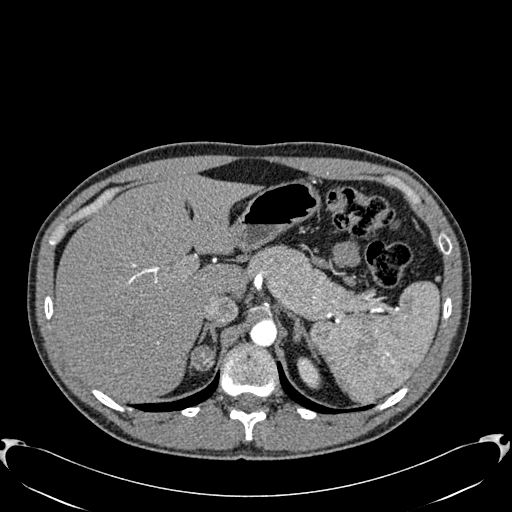
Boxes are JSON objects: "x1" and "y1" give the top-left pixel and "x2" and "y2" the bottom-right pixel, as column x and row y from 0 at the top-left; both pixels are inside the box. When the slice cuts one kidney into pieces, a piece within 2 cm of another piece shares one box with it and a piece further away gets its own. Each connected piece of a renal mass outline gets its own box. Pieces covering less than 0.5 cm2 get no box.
This is axial slice 457 of 512 (slice 1 is the lowest) of an arterial-phase abdominal CT with contrast; each pixel is 0.771 mm and the slice is 1.00 mm thick. Two boxes on this slice (one kidney box and one renal mass box), listed by box centre from the image's left to its right. (1) Box {"x1": 193, "y1": 345, "x2": 215, "y2": 371}: right renal mass (outlined area 472 px, about 2.8 cm2). (2) Left kidney at {"x1": 297, "y1": 356, "x2": 321, "y2": 389} (outlined area 545 px, about 3.2 cm2).
Scan settings: 120 kVp, B30f reconstruction kernel.